Abdominal CT with intravenous contrast, arterial phase, axial plane, 120 kVp, kernel I26f. Slice 77/470 from the bottom of the scan; thickness 1.00 mm; pixel size 0.938 mm.
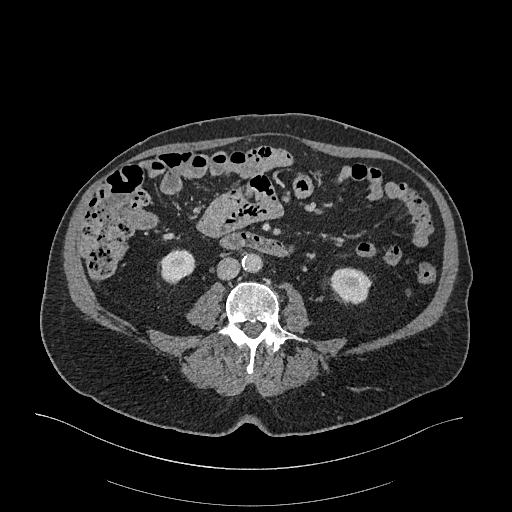
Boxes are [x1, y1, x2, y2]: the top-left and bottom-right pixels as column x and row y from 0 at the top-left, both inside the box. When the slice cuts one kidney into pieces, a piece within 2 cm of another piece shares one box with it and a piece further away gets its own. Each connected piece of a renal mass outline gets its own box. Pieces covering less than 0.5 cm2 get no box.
Two boxes on this slice (two kidney boxes), listed by box centre from the image's left to its right. (1) Box [160, 248, 195, 284]: right kidney (outlined area 951 px, about 8.4 cm2). (2) Left kidney, box [329, 267, 371, 303] (outlined area 1,154 px, about 10.1 cm2). This slice carries no renal mass outline.